One axial slice (484 of 665, counting up from the lowest) of an arterial-phase abdominal CT acquired with 100 kVp, kernel I26f; each pixel is 0.828 mm and the slice is 1.00 mm thick.
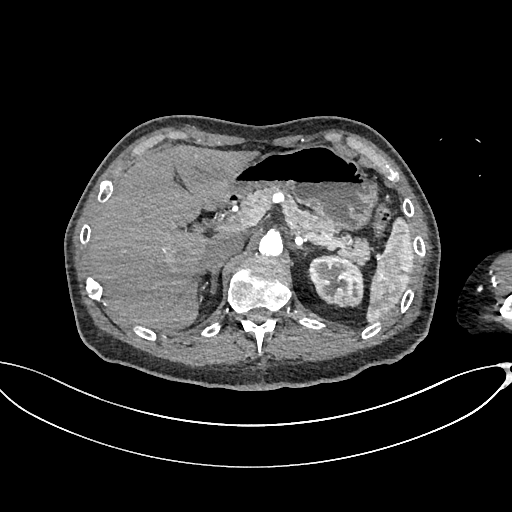
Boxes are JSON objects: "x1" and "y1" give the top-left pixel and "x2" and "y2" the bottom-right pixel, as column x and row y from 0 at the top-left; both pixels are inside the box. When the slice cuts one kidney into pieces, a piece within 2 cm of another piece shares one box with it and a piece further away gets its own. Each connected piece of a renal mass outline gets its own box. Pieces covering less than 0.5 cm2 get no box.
Left kidney, box {"x1": 307, "y1": 254, "x2": 364, "y2": 307} (outlined area 2,327 px, about 16.0 cm2). No renal mass outline on this slice.